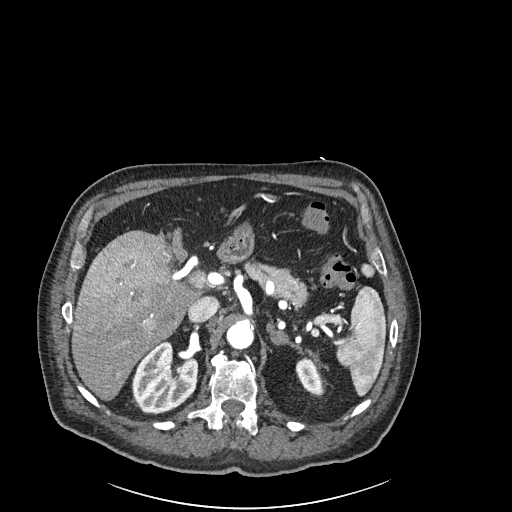
Arterial-phase contrast-enhanced abdominal CT, axial slice 160 of 261 (counted from the lowest slice); tube voltage 120 kVp, convolution kernel I30f; slices 2.00 mm thick, 0.939 mm per pixel.
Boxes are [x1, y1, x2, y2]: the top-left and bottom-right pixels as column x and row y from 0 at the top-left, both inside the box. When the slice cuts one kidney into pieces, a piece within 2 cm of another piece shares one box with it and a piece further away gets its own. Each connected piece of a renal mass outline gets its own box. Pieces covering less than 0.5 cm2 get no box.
Two boxes on this slice (two kidney boxes), listed by box centre from the image's left to its right. (1) Box [131, 341, 199, 414]: right kidney (outlined area 3,629 px, about 32.0 cm2). (2) Left kidney at [295, 358, 322, 393] (outlined area 687 px, about 6.1 cm2). This slice carries no renal mass outline.